Axial slice 92 of 145 of a contrast-enhanced abdominal CT in the arterial phase (slice 1 is the lowest), 100 kVp, kernel I40f; 3.00 mm slice thickness and 0.834 mm pixels.
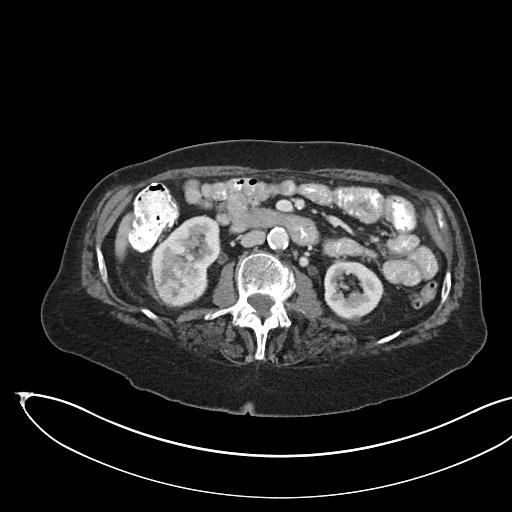
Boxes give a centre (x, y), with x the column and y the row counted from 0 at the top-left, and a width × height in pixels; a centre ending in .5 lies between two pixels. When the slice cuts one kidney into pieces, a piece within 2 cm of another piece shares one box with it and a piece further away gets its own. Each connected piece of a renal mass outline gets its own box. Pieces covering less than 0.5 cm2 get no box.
Two kidney boxes and one renal mass box on this slice; by box centre, from the image's left to its right: (1) Renal mass, box centre (180.5, 284), 54 × 45 pixels (outlined area 1,885 px, about 13.1 cm2). (2) Box centre (185.5, 249), 70 × 69 pixels: kidney (outlined area 2,682 px, about 18.7 cm2). (3) Kidney, box centre (353.5, 292), 60 × 63 pixels (outlined area 2,665 px, about 18.5 cm2).